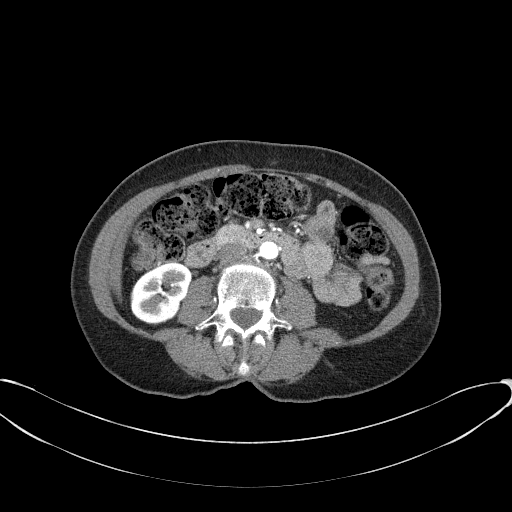
Axial slice 21 of 77 of a contrast-enhanced abdominal CT in the arterial phase (slice 1 is the lowest), 100 kVp, kernel B41f; 3.00 mm slice thickness and 0.809 mm pixels.
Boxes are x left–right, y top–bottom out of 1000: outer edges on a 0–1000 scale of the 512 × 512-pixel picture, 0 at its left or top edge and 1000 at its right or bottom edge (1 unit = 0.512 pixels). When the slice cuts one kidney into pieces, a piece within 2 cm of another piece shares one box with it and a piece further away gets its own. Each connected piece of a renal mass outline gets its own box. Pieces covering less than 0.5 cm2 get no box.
Right kidney, box x 254–377, y 512–635 out of 1000 (outlined area 2,829 px, about 18.5 cm2). No renal mass outline on this slice.